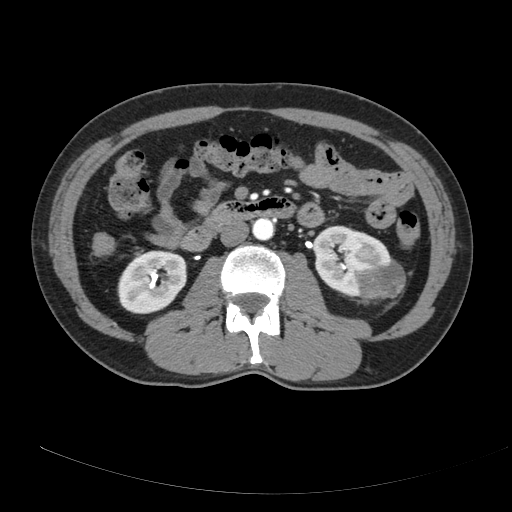
Contrast-enhanced abdominal CT, axial slice 101 of 178 (counted from the lowest slice); tube voltage 120 kVp, convolution kernel B; slices 3.00 mm thick, 0.818 mm per pixel.
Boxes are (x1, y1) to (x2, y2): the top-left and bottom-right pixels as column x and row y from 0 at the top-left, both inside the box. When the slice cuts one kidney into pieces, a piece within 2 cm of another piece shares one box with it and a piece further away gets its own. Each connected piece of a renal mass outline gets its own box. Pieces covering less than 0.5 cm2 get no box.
Two kidney boxes and one renal mass box on this slice; by box centre, from the image's left to its right: (1) Right kidney, box (117, 250) to (186, 314) (outlined area 3,484 px, about 23.3 cm2). (2) Left kidney from (313, 225) to (396, 297) (outlined area 3,506 px, about 23.5 cm2). (3) Left renal mass, box (355, 261) to (405, 300) (outlined area 1,637 px, about 11.0 cm2).